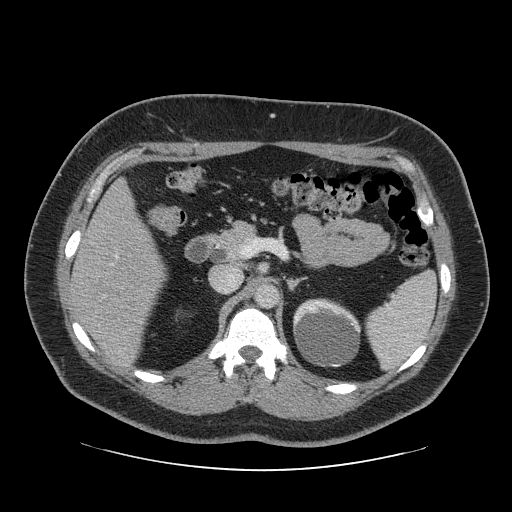
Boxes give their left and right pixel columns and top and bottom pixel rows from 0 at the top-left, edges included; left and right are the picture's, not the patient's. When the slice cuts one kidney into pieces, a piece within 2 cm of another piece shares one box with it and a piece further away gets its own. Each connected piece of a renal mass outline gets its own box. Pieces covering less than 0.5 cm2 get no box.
Slice 52/69 of a contrast-enhanced abdominal CT in the arterial phase, counting up from the lowest; pixel size 0.846 mm, slice thickness 2.50 mm. Box with left 293, top 298, right 361, bottom 367: left kidney (outlined area 3,798 px, about 27.2 cm2). No renal mass is outlined on this slice.
Scan settings: 120 kVp, STANDARD reconstruction kernel.